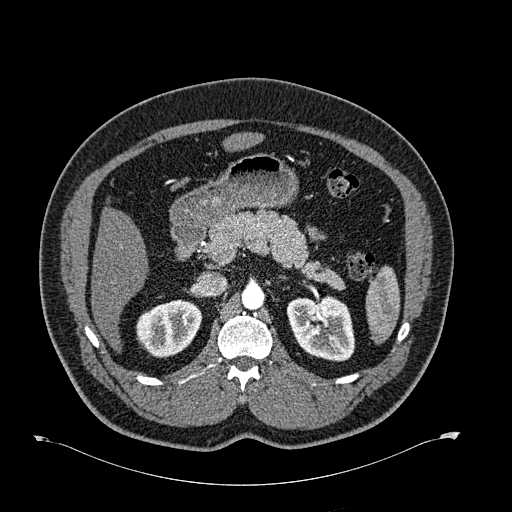
Arterial-phase contrast-enhanced abdominal CT, axial slice 423 of 723 (counted from the lowest slice); tube voltage 120 kVp, convolution kernel B30f; slices 1.00 mm thick, 0.895 mm per pixel.
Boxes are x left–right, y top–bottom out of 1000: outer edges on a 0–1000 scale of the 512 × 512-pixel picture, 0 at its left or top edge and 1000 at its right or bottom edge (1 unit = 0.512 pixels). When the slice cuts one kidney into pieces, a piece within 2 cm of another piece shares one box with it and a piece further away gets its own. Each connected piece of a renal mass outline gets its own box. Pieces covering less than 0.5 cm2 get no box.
Boxed on this slice (two kidney boxes), listed by box centre from the image's left to its right: (1) Right kidney at x 266–396, y 584–701 out of 1000 (outlined area 2,896 px, about 23.2 cm2). (2) Left kidney at x 559–695, y 578–707 out of 1000 (outlined area 3,515 px, about 28.1 cm2). This slice carries no renal mass outline.